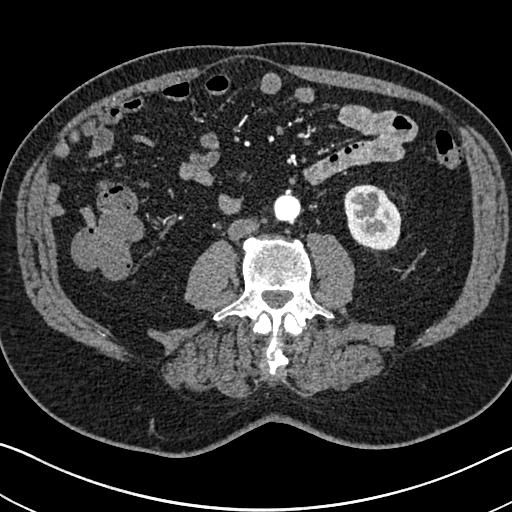
Axial slice 303 of 705 of a contrast-enhanced abdominal CT in the arterial phase (slice 1 is the lowest), 120 kVp, kernel I30f; 1.00 mm slice thickness and 0.703 mm pixels.
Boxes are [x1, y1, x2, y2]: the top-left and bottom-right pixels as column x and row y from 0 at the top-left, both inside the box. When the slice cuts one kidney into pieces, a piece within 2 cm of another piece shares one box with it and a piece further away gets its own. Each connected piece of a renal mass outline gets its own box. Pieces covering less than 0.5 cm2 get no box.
Box [344, 184, 401, 251]: left kidney (outlined area 3,011 px, about 14.9 cm2). No renal mass outline on this slice.